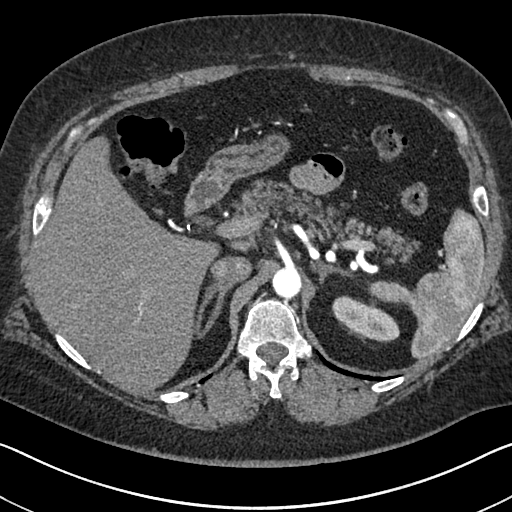
Axial slice 499 of 591 of a contrast-enhanced abdominal CT in the arterial phase (slice 1 is the lowest), 140 kVp, kernel I30f; 1.00 mm slice thickness and 0.703 mm pixels.
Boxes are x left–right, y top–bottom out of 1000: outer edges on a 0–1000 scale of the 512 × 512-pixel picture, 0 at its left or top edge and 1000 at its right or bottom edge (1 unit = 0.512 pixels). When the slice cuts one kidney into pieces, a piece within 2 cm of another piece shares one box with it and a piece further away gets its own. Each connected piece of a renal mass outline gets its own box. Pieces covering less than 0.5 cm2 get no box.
Left kidney at x 648–781, y 578–668 out of 1000 (outlined area 1,890 px, about 9.3 cm2). No renal mass outline on this slice.